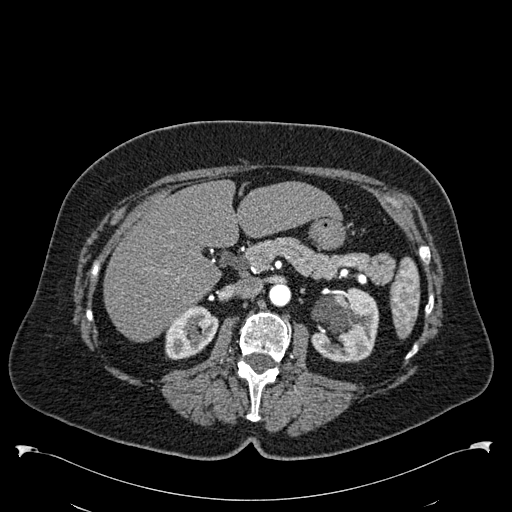
One axial slice (351 of 538, counting up from the lowest) of an arterial-phase abdominal CT acquired with 120 kVp, kernel B30f; each pixel is 0.811 mm and the slice is 1.00 mm thick.
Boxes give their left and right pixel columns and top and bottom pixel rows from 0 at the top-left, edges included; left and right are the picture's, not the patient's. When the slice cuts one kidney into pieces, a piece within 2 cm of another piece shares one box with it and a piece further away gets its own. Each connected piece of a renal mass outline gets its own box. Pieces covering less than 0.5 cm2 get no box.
Boxed on this slice (two kidney boxes), listed by box centre from the image's left to its right: (1) Box with left 165, top 305, right 218, bottom 359: right kidney (outlined area 2,069 px, about 13.6 cm2). (2) Left kidney, the box with left 311, top 287, right 378, bottom 362 (outlined area 3,947 px, about 25.9 cm2). No renal mass outline on this slice.